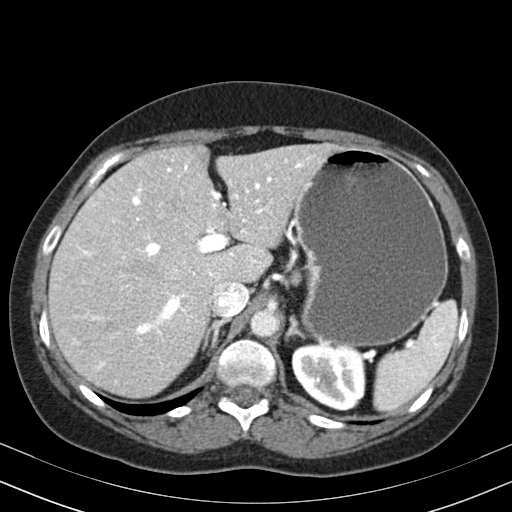
Abdominal CT with intravenous contrast, arterial phase, axial plane, 130 kVp, kernel B30s. Slice 134/164 from the bottom of the scan; thickness 3.00 mm; pixel size 0.664 mm.
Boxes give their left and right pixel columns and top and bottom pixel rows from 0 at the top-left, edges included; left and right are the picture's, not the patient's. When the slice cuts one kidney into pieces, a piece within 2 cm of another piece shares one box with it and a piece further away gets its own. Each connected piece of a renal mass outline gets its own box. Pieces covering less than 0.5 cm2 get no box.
Left kidney, the box with left 291, top 343, right 365, bottom 410 (outlined area 3,986 px, about 17.6 cm2). No renal mass outline on this slice.